Axial slice 607 of 834 of a contrast-enhanced abdominal CT (slice 1 is the lowest), 140 kVp, kernel I30f; 1.00 mm slice thickness and 0.977 mm pixels.
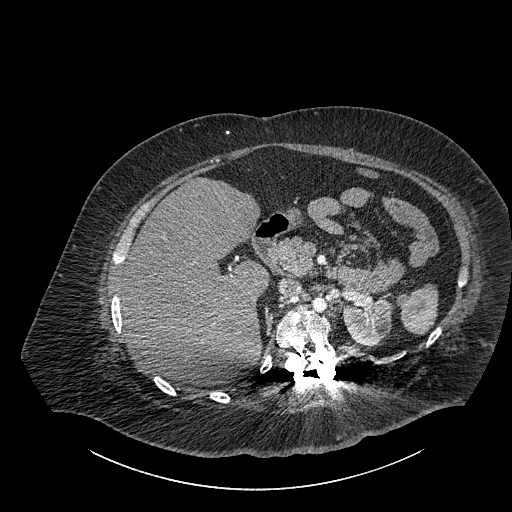
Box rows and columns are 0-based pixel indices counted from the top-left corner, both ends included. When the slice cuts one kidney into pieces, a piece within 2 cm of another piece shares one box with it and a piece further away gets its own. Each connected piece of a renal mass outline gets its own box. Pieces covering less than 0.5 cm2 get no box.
Left part of the midline-crossing kidney at rows 298–346, columns 342–390 (outlined area 1,846 px, about 17.6 cm2). No renal mass outline on this slice.